Abdominal CT with intravenous contrast, arterial phase, axial plane, 120 kVp, kernel B30f. Slice 257/532 from the bottom of the scan; thickness 1.00 mm; pixel size 0.713 mm.
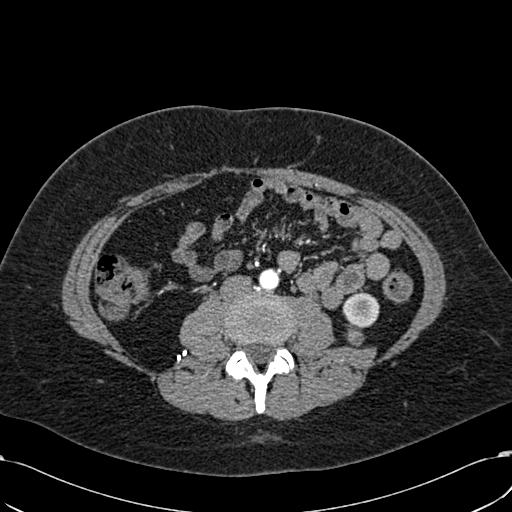
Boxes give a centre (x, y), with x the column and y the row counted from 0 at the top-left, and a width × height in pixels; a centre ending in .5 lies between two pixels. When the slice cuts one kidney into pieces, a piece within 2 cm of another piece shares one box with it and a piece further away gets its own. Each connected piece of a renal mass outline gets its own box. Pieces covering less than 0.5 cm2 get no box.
One kidney box and one renal mass box on this slice; by box centre, from the image's left to its right: (1) Box centre (355, 335), 19 × 23 pixels: left renal mass (outlined area 298 px, about 1.5 cm2). (2) Box centre (360.5, 310), 38 × 37 pixels: left kidney (outlined area 1,044 px, about 5.3 cm2).